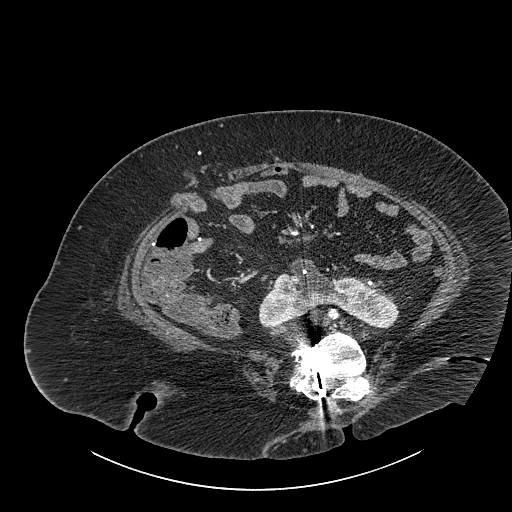
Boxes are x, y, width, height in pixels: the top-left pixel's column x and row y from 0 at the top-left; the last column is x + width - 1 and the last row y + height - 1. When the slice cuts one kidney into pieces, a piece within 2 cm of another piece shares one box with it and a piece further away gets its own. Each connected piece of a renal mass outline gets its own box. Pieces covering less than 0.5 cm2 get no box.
Slice 455/834 of a contrast-enhanced abdominal CT, counting up from the lowest; pixel size 0.977 mm, slice thickness 1.00 mm. Kidney crossing the body midline, box x 258, y 258, width 142, height 71 (outlined area 5,485 px, about 52.3 cm2). No renal mass outline on this slice.
Acquired at 140 kVp and reconstructed with the I30f kernel.